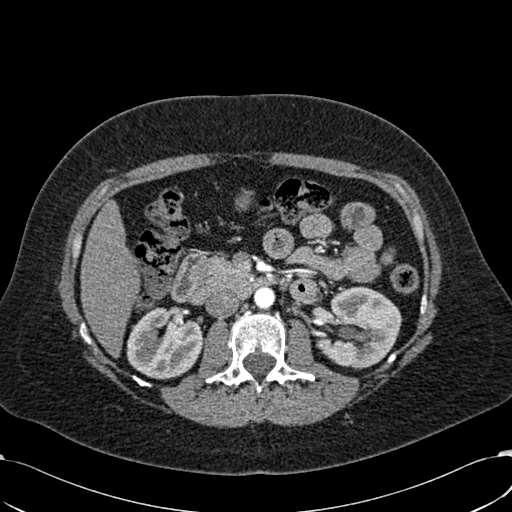
Abdominal CT with intravenous contrast, arterial phase, axial plane, 120 kVp, kernel B30f. Slice 358/532 from the bottom of the scan; thickness 1.00 mm; pixel size 0.713 mm.
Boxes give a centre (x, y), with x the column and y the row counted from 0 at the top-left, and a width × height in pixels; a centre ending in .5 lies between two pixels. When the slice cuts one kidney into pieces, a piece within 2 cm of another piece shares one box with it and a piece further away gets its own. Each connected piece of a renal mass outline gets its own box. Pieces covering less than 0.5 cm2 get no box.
Boxed on this slice (two kidney boxes), listed by box centre from the image's left to its right: (1) Right kidney, box centre (164, 343), 77 × 73 pixels (outlined area 4,172 px, about 21.2 cm2). (2) Left kidney, box centre (362.5, 327), 80 × 83 pixels (outlined area 4,906 px, about 24.9 cm2). No renal mass outline on this slice.